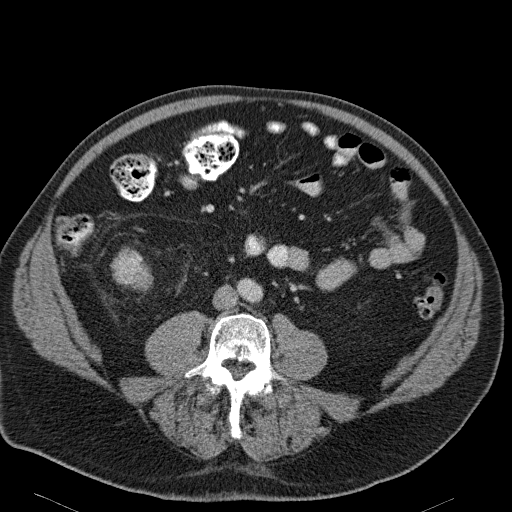
Arterial-phase contrast-enhanced abdominal CT, axial slice 65 of 114 (counted from the lowest slice); tube voltage 120 kVp, convolution kernel B31f; slices 5.00 mm thick, 0.781 mm per pixel.
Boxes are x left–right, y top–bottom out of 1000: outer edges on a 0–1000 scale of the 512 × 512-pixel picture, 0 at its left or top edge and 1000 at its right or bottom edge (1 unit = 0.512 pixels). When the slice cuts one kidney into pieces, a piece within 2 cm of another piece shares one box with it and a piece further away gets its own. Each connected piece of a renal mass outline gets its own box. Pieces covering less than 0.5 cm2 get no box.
Right renal mass at x 215–301, y 480–572 out of 1000 (outlined area 1,353 px, about 8.3 cm2); this slice has no kidney outline, though on another slice the same outlined renal mass lies within 1 cm of the kidney.